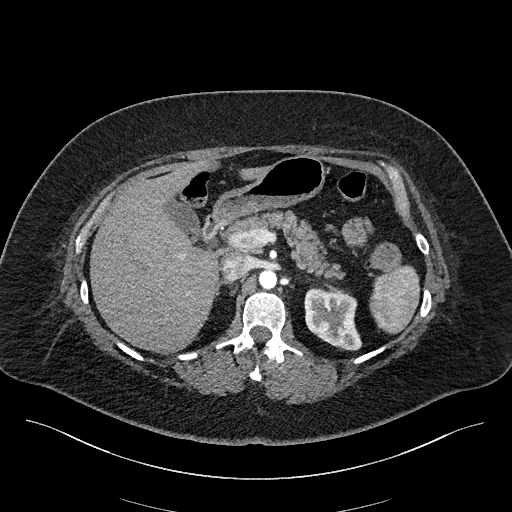
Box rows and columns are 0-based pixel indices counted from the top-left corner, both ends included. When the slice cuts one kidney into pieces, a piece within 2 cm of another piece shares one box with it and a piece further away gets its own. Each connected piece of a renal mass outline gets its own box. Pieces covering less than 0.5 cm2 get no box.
Slice 143/270 of a contrast-enhanced abdominal CT in the arterial phase, counting up from the lowest; pixel size 0.855 mm, slice thickness 2.00 mm. Left kidney, box rows 287–350, columns 304–362 (outlined area 2,727 px, about 20.0 cm2). This slice carries no renal mass outline.
Acquired at 100 kVp and reconstructed with the I40f kernel.